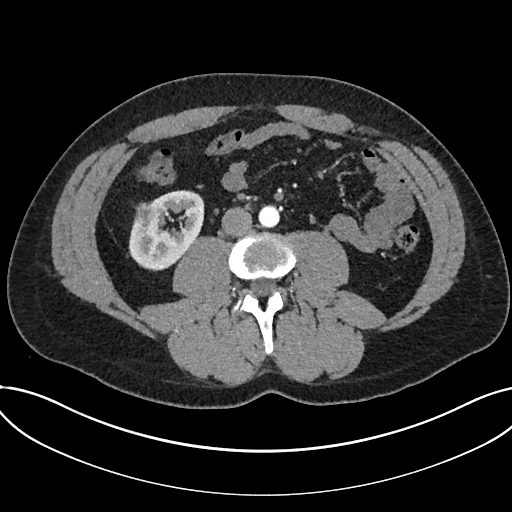
Arterial-phase contrast-enhanced abdominal CT, axial slice 316 of 735 (counted from the lowest slice); tube voltage 120 kVp, convolution kernel I30f; slices 1.00 mm thick, 0.789 mm per pixel.
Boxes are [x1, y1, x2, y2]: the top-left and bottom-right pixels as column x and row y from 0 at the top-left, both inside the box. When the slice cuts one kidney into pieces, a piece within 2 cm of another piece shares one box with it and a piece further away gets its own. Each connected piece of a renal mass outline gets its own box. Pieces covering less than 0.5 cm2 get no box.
Two boxes on this slice (one kidney box and one renal mass box), listed by box centre from the image's left to its right. (1) Renal mass at [135, 201, 158, 222] (outlined area 416 px, about 2.6 cm2). (2) Kidney, box [128, 190, 204, 270] (outlined area 3,978 px, about 24.8 cm2).